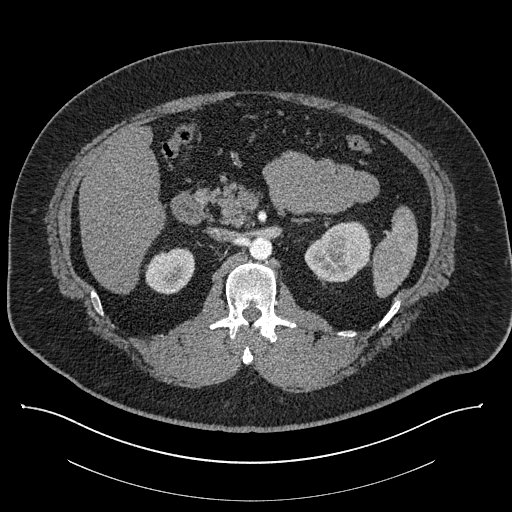
Abdominal CT with intravenous contrast, axial plane, 140 kVp, kernel I30f. Slice 532/787 from the bottom of the scan; thickness 1.00 mm; pixel size 0.910 mm.
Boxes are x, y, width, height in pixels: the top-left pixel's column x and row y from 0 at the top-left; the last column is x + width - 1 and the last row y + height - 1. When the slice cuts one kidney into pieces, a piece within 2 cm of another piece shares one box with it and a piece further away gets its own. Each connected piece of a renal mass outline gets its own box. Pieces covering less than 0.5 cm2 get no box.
Two kidney boxes on this slice; by box centre, from the image's left to its right: (1) Right kidney, box x 145, y 247, width 51, height 48 (outlined area 1,826 px, about 15.1 cm2). (2) Left kidney, box x 304, y 221, width 67, height 62 (outlined area 3,030 px, about 25.1 cm2). This slice carries no renal mass outline.